Axial slice 306 of 512 of a contrast-enhanced abdominal CT in the arterial phase (slice 1 is the lowest), 120 kVp, kernel B30f; 1.00 mm slice thickness and 0.771 mm pixels.
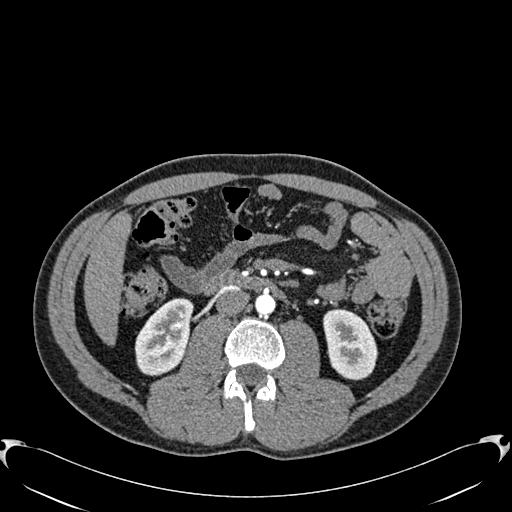
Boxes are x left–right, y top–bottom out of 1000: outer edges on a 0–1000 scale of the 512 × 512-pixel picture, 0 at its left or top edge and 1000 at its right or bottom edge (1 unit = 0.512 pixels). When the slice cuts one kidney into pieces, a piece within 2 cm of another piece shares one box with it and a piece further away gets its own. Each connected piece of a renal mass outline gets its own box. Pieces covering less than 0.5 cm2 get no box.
Two kidney boxes on this slice; by box centre, from the image's left to its right: (1) Box x 262–379, y 582–734 out of 1000: right kidney (outlined area 3,255 px, about 19.4 cm2). (2) Box x 631–740, y 602–744 out of 1000: left kidney (outlined area 3,004 px, about 17.9 cm2). This slice carries no renal mass outline.